Abdominal CT with intravenous contrast, axial plane, 140 kVp, kernel B30f. Slice 42/75 from the bottom of the scan; thickness 3.00 mm; pixel size 0.875 mm.
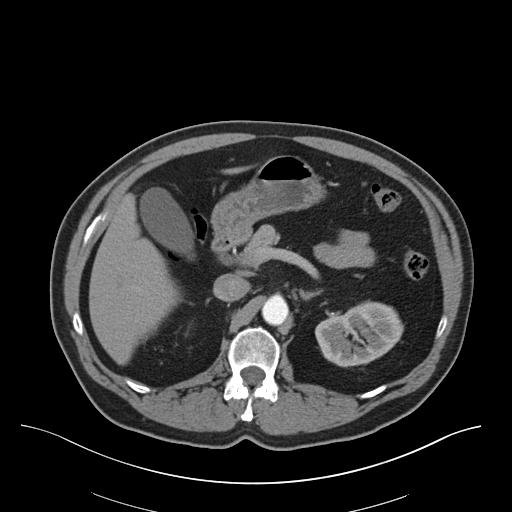
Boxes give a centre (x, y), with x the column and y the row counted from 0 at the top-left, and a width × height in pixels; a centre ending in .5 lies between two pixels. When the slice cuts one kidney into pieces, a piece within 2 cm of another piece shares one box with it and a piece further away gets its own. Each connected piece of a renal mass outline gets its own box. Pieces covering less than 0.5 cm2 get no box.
Left kidney in a box with centre (359, 333.5), 89 × 68 pixels (outlined area 4,198 px, about 32.1 cm2). No renal mass outline on this slice.